One axial slice (398 of 834, counting up from the lowest) of a contrast-enhanced abdominal CT acquired with 140 kVp, kernel I30f; each pixel is 0.977 mm and the slice is 1.00 mm thick.
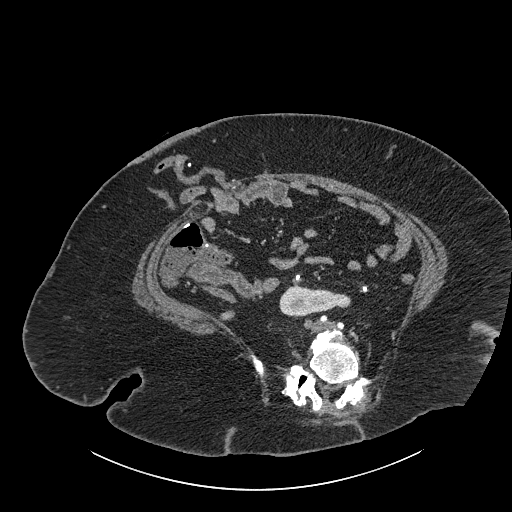
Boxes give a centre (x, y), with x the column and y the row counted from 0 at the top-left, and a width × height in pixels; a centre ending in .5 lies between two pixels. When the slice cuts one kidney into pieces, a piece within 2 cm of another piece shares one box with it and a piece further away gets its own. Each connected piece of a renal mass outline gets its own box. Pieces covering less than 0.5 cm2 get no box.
Right part of the midline-crossing kidney, box centre (314.5, 301.5), 72 × 34 pixels (outlined area 1,626 px, about 15.5 cm2). No renal mass is outlined on this slice.